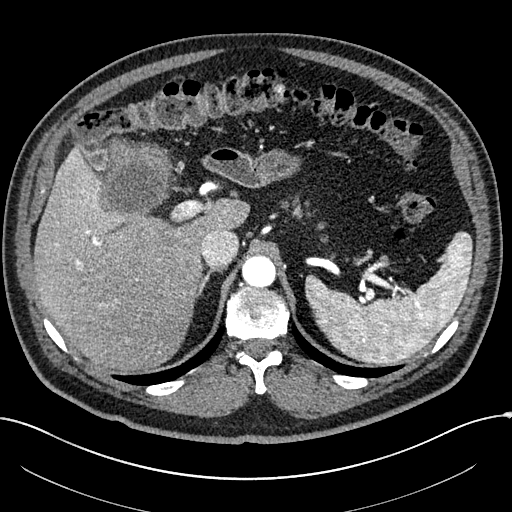
Abdominal CT with intravenous contrast, arterial phase, axial plane, 100 kVp, kernel I30f. Slice 189/304 from the bottom of the scan; thickness 2.00 mm; pixel size 0.809 mm.
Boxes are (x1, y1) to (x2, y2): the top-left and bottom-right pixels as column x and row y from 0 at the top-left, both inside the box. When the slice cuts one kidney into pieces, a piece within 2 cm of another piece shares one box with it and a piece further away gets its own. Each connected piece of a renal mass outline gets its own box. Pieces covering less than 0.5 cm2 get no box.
Right renal mass, box (99, 142) to (171, 216) (outlined area 4,316 px, about 28.2 cm2); no kidney outline appears on this slice, but the same outlined renal mass comes within 1 cm of the kidney on another slice.